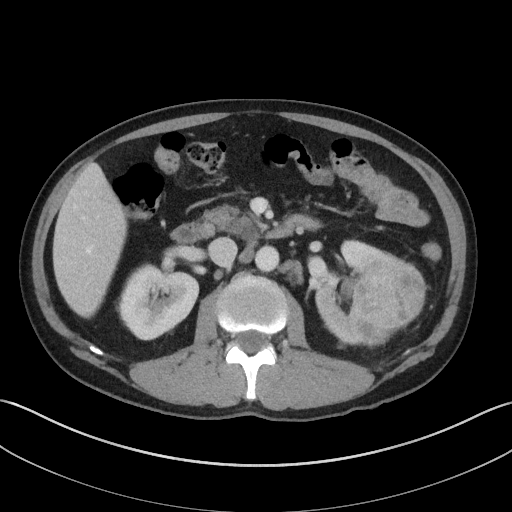
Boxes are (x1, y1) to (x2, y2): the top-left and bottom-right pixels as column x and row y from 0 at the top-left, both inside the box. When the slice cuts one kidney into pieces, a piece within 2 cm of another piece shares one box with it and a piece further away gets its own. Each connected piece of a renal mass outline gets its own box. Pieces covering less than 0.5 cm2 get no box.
Contrast-enhanced abdominal CT, axial slice 66 of 143 (counted from the lowest slice); 5.00 mm thick, 0.734 mm per pixel. Two kidney boxes and one renal mass box on this slice; by box centre, from the image's left to its right: (1) Box (116, 263) to (199, 340): right kidney (outlined area 4,537 px, about 24.5 cm2). (2) Left kidney, box (314, 240) to (406, 348) (outlined area 4,270 px, about 23.0 cm2). (3) Box (351, 257) to (426, 327): left renal mass (outlined area 4,228 px, about 22.8 cm2).
Scan settings: 100 kVp, I41f reconstruction kernel.